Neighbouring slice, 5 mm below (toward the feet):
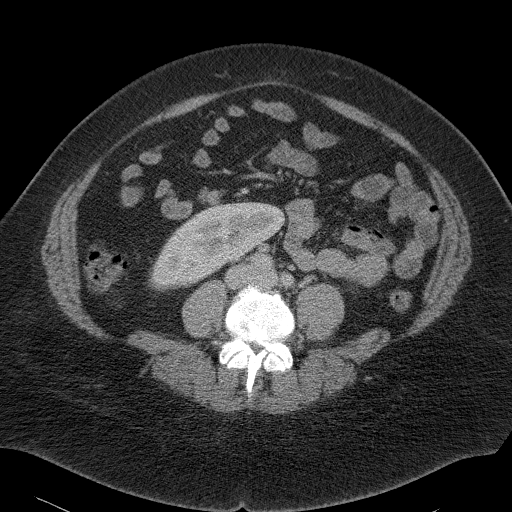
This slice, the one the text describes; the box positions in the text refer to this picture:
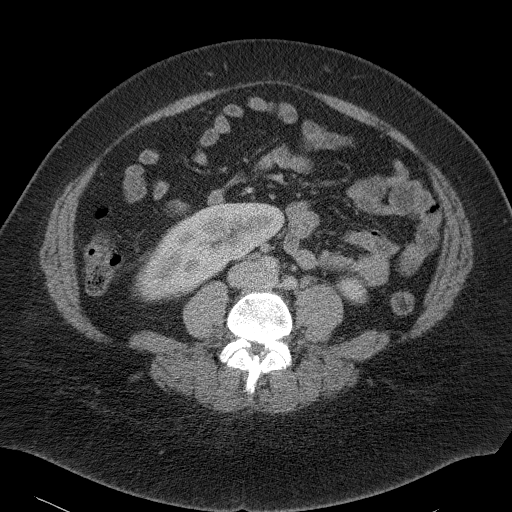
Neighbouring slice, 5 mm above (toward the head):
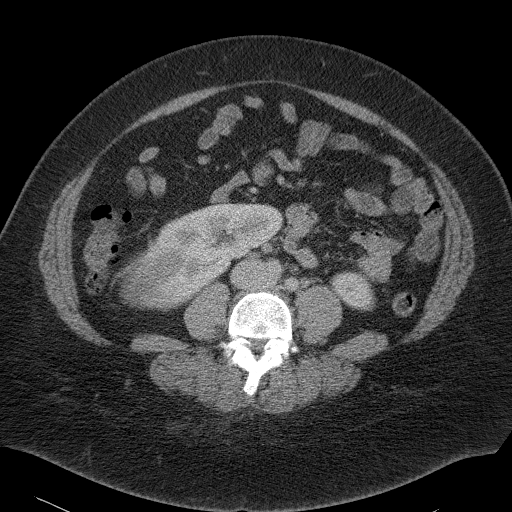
Abdominal CT with intravenous contrast, axial plane, 120 kVp, kernel B41f. Slice 47/90 from the bottom of the scan; thickness 5.00 mm; pixel size 0.781 mm.
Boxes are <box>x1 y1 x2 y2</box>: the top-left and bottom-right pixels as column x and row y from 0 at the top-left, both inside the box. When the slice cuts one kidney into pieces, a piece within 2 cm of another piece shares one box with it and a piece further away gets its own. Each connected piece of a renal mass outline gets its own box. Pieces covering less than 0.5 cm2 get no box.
Two kidney boxes and one renal mass box on this slice; by box centre, from the image's left to its right: (1) Right renal mass: <box>133 259 183 301</box> (outlined area 1,629 px, about 9.9 cm2). (2) Right kidney at <box>148 202 285 293</box> (outlined area 6,721 px, about 41.0 cm2). (3) Left kidney: <box>337 278 368 304</box> (outlined area 648 px, about 4.0 cm2). This slice lies near the end of the right renal mass toward the feet; the slices 5 mm below and 5 mm above it are shown too, and the boxes mark positions on this slice only.